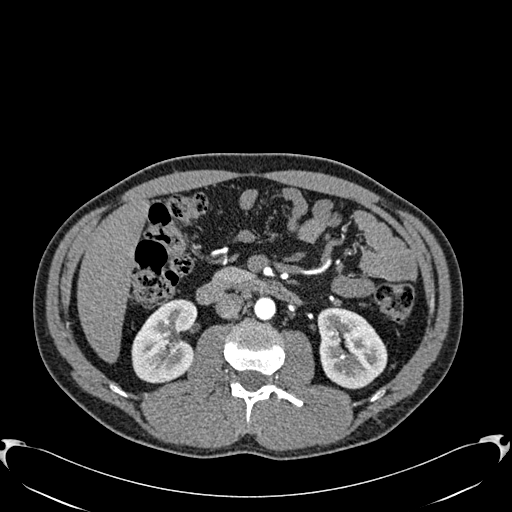
Abdominal CT with intravenous contrast, arterial phase, axial plane, 120 kVp, kernel B30f. Slice 335/512 from the bottom of the scan; thickness 1.00 mm; pixel size 0.771 mm.
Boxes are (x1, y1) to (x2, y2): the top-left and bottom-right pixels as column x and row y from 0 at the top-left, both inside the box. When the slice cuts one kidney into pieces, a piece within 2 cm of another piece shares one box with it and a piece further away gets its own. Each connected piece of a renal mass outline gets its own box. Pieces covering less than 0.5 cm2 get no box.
Boxed on this slice (two kidney boxes), listed by box centre from the image's left to its right: (1) Box (131, 299) to (197, 383): right kidney (outlined area 4,143 px, about 24.7 cm2). (2) Left kidney, box (317, 307) to (387, 389) (outlined area 4,365 px, about 26.0 cm2). No renal mass outline on this slice.